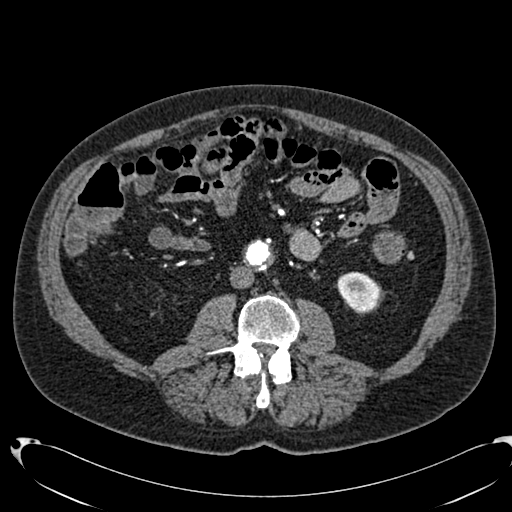
Arterial-phase contrast-enhanced abdominal CT, axial slice 324 of 553 (counted from the lowest slice); tube voltage 120 kVp, convolution kernel B20f; slices 1.00 mm thick, 0.773 mm per pixel.
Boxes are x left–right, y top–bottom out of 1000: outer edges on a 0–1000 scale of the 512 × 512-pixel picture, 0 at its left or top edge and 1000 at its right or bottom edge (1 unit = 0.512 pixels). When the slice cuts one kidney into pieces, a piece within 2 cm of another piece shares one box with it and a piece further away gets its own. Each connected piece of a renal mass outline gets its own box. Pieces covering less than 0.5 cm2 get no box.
Left kidney, box x 656–744, y 529–613 out of 1000 (outlined area 1,385 px, about 8.3 cm2). No renal mass is outlined on this slice.